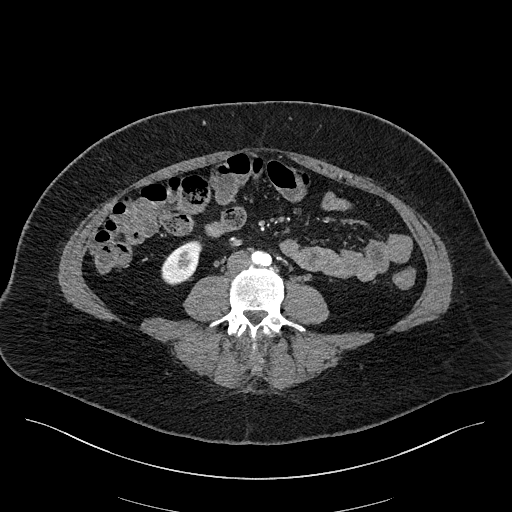
Abdominal CT with intravenous contrast, arterial phase, axial plane, 100 kVp, kernel I40f. Slice 47/270 from the bottom of the scan; thickness 2.00 mm; pixel size 0.855 mm.
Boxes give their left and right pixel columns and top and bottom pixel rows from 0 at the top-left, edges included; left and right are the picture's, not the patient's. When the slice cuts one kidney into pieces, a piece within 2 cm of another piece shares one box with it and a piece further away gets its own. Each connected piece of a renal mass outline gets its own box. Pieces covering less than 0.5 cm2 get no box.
Right kidney in the box with left 161, top 240, right 202, bottom 285 (outlined area 1,262 px, about 9.2 cm2). No renal mass is outlined on this slice.